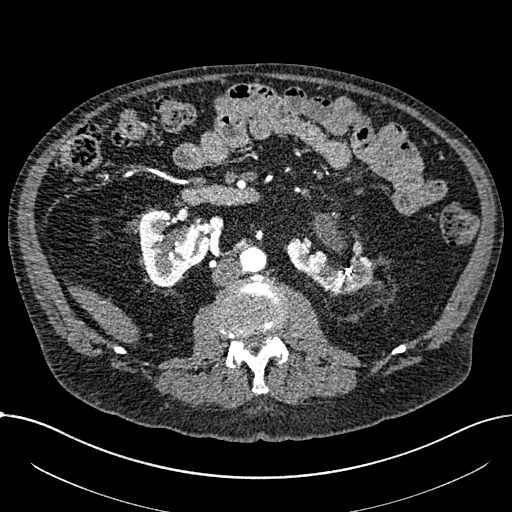
One axial slice (354 of 1059, counting up from the lowest) of an arterial-phase abdominal CT acquired with 100 kVp, kernel I30f; each pixel is 0.811 mm and the slice is 1.00 mm thick.
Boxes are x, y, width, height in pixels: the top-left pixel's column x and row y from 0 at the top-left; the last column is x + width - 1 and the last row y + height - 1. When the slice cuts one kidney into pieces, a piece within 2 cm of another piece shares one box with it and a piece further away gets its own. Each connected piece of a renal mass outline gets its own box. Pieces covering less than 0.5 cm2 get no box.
Two kidney boxes on this slice; by box centre, from the image's left to its right: (1) Right part of the midline-crossing kidney at x 138, y 209, width 72, height 78 (outlined area 3,739 px, about 24.6 cm2). (2) Left part of the midline-crossing kidney at x 285, y 237, width 99, height 59 (outlined area 3,181 px, about 20.9 cm2). This slice carries no renal mass outline.